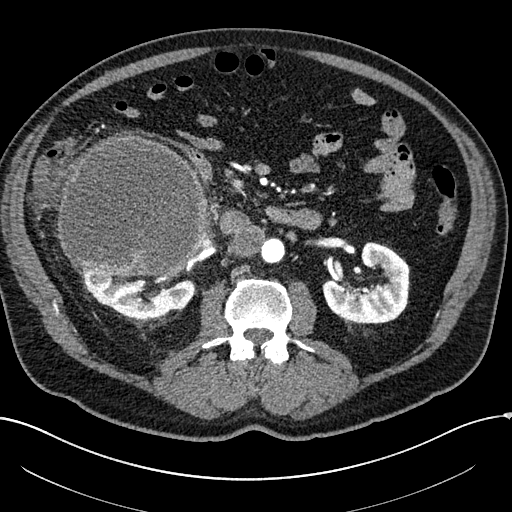
One axial slice (108 of 304, counting up from the lowest) of an arterial-phase abdominal CT acquired with 100 kVp, kernel I30f; each pixel is 0.809 mm and the slice is 2.00 mm thick.
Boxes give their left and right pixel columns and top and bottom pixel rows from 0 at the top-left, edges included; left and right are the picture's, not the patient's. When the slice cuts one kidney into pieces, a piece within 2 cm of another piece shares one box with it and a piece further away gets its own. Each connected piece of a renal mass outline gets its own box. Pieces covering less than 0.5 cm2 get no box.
Three boxes on this slice (two kidney boxes and one renal mass box), listed by box centre from the image's left to its right. (1) Right renal mass, the box with left 57, top 135, right 207, bottom 275 (outlined area 17,173 px, about 112.3 cm2). (2) Box with left 73, top 264, right 195, bottom 319: right kidney (outlined area 3,985 px, about 26.1 cm2). (3) Left kidney, the box with left 322, top 242, right 409, bottom 324 (outlined area 4,739 px, about 31.0 cm2).